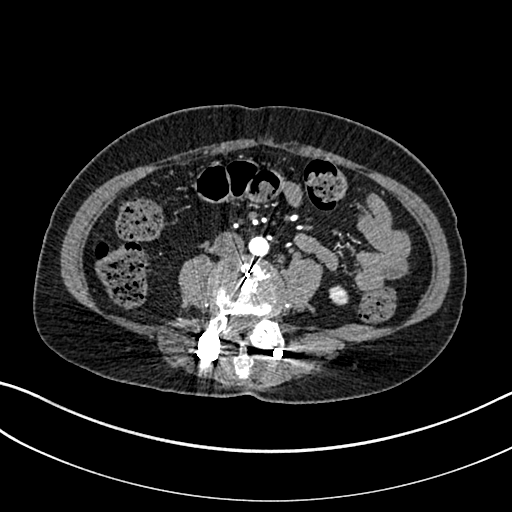
Abdominal CT with intravenous contrast, arterial phase, axial plane, 100 kVp, kernel I30f. Slice 50/325 from the bottom of the scan; thickness 1.00 mm; pixel size 0.703 mm.
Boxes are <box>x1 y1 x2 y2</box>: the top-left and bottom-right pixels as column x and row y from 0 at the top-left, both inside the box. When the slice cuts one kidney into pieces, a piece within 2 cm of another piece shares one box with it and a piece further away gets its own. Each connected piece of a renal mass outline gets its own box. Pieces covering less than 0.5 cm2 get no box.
Left kidney: <box>329 285 348 305</box> (outlined area 318 px, about 1.6 cm2). This slice carries no renal mass outline.